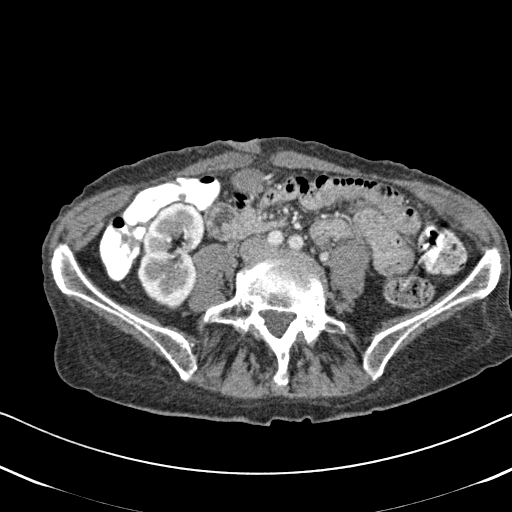
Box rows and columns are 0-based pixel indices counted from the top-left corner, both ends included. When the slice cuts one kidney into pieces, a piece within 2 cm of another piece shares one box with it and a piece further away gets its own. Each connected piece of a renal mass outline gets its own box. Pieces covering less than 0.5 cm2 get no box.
This is axial slice 231 of 620 (slice 1 is the lowest) of an arterial-phase abdominal CT with contrast; each pixel is 0.637 mm and the slice is 2.00 mm thick. Box rows 201–310, columns 137–205: right kidney (outlined area 5,440 px, about 22.1 cm2). No renal mass is outlined on this slice.
Tube voltage 120 kVp; convolution kernel B31f.